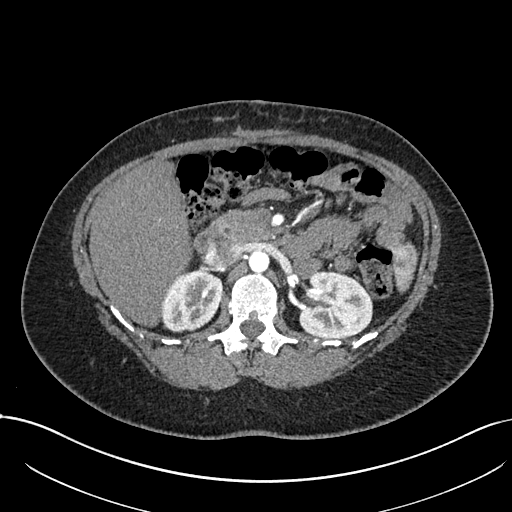
Axial slice 462 of 738 of a contrast-enhanced abdominal CT in the arterial phase (slice 1 is the lowest), 120 kVp, kernel I30f; 1.00 mm slice thickness and 0.789 mm pixels.
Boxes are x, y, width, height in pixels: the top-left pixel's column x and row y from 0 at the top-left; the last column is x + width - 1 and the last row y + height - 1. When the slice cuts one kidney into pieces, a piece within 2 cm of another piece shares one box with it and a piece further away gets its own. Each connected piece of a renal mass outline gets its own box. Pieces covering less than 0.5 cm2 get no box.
Two kidney boxes on this slice; by box centre, from the image's left to its right: (1) Box x 160, y 269, width 63, height 63: right kidney (outlined area 3,015 px, about 18.8 cm2). (2) Left kidney at x 298, y 271, width 75, height 68 (outlined area 4,071 px, about 25.3 cm2). This slice carries no renal mass outline.